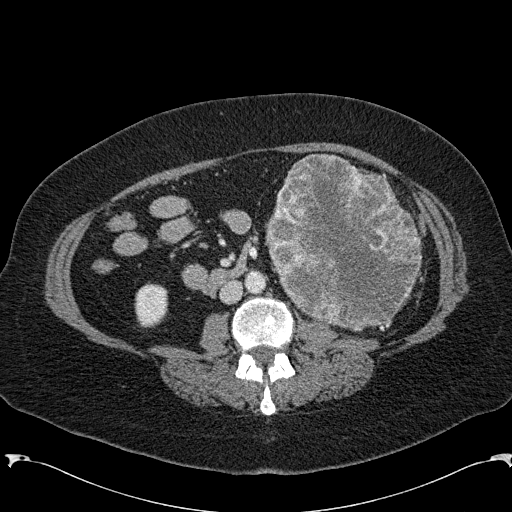
Arterial-phase contrast-enhanced abdominal CT, axial slice 95 of 285 (counted from the lowest slice); tube voltage 120 kVp, convolution kernel B31f; slices 2.00 mm thick, 0.762 mm per pixel.
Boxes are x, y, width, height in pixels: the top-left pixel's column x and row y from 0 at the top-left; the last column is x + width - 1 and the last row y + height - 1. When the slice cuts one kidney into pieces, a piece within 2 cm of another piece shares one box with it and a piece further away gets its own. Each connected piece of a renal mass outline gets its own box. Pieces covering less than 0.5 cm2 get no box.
Boxed on this slice (one kidney box and one renal mass box), listed by box centre from the image's left to its right: (1) Right kidney, box x 134, y 282, width 35, height 46 (outlined area 1,242 px, about 7.2 cm2). (2) Left renal mass at x 265, y 153, width 157, height 179 (outlined area 20,682 px, about 120.0 cm2); here it is more than 1 cm from any kidney outline, though on another slice the same outlined renal mass lies within 1 cm of the kidney.